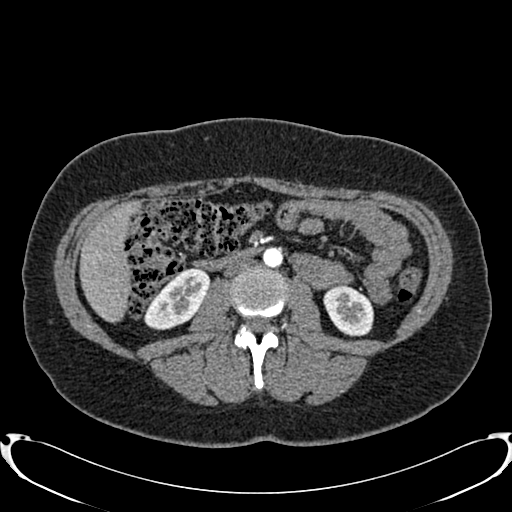
Abdominal CT with intravenous contrast, arterial phase, axial plane, 120 kVp, kernel B20f. Slice 402/719 from the bottom of the scan; thickness 1.00 mm; pixel size 0.766 mm.
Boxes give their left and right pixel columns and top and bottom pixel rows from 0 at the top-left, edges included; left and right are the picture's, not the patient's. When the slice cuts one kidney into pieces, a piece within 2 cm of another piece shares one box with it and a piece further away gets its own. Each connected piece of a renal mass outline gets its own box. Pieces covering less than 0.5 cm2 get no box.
Boxed on this slice (two kidney boxes), listed by box centre from the image's left to its right: (1) Right kidney in the box with left 144, top 267, right 209, bottom 330 (outlined area 2,599 px, about 15.2 cm2). (2) Left kidney in the box with left 323, top 285, right 373, bottom 336 (outlined area 1,982 px, about 11.6 cm2). No renal mass outline on this slice.